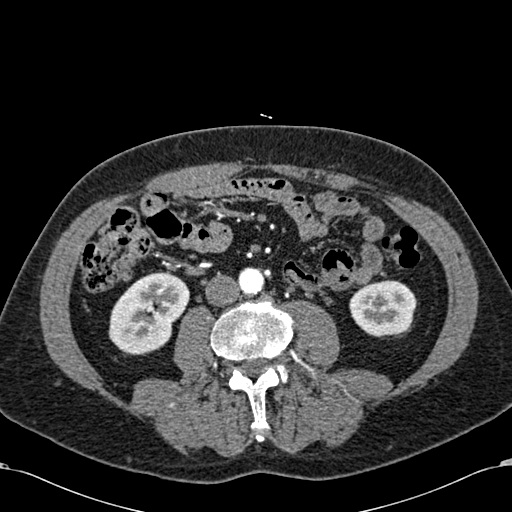
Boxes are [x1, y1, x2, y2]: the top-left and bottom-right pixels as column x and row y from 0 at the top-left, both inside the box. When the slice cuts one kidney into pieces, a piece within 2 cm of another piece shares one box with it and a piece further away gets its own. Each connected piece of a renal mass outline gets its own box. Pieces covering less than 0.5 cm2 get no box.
Slice 249/581 of a contrast-enhanced abdominal CT in the arterial phase, counting up from the lowest; pixel size 0.713 mm, slice thickness 1.00 mm. Two boxes on this slice (two kidney boxes), listed by box centre from the image's left to its right. (1) Right kidney at [108, 271, 189, 355] (outlined area 4,782 px, about 24.3 cm2). (2) Left kidney at [349, 280, 416, 336] (outlined area 3,054 px, about 15.5 cm2). No renal mass outline on this slice.
Acquired at 120 kVp and reconstructed with the B30f kernel.